One axial slice (90 of 157, counting up from the lowest) of an arterial-phase abdominal CT acquired with 120 kVp, kernel B30f; each pixel is 0.742 mm and the slice is 3.00 mm thick.
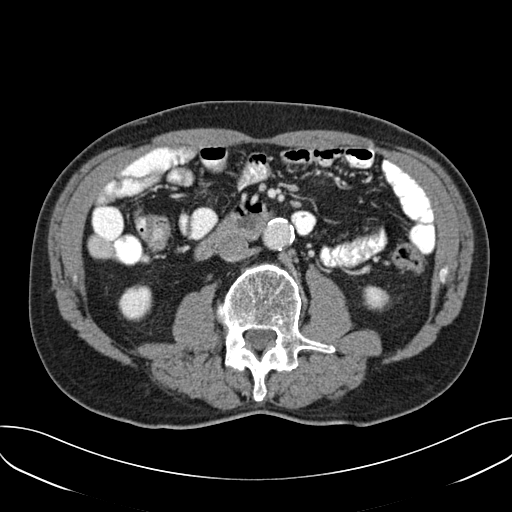
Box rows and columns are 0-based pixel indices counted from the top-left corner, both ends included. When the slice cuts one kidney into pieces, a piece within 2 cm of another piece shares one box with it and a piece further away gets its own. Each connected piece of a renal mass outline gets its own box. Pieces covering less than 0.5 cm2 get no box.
Two kidney boxes on this slice; by box centre, from the image's left to its right: (1) Right kidney at rows 284–321, columns 118–152 (outlined area 1,009 px, about 5.6 cm2). (2) Box rows 285–309, columns 363–389: left kidney (outlined area 526 px, about 2.9 cm2). This slice carries no renal mass outline.